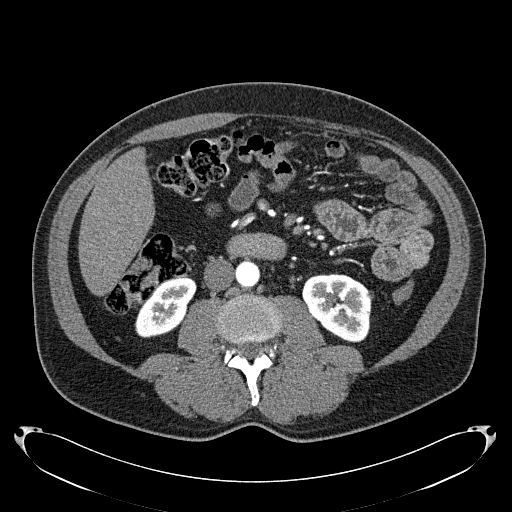
One axial slice (88 of 279, counting up from the lowest) of an arterial-phase abdominal CT acquired with 120 kVp, kernel B31f; each pixel is 0.824 mm and the slice is 2.00 mm thick.
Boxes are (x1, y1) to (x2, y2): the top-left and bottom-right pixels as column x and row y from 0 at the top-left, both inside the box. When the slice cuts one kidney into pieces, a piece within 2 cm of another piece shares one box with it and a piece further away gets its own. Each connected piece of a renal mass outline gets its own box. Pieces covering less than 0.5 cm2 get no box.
Two boxes on this slice (two kidney boxes), listed by box centre from the image's left to its right. (1) Right kidney from (135, 276) to (196, 337) (outlined area 2,456 px, about 16.7 cm2). (2) Left kidney from (302, 273) to (371, 342) (outlined area 3,659 px, about 24.9 cm2). No renal mass outline on this slice.